Arterial-phase contrast-enhanced abdominal CT, axial slice 439 of 683 (counted from the lowest slice); tube voltage 120 kVp, convolution kernel I30f; slices 1.00 mm thick, 0.738 mm per pixel.
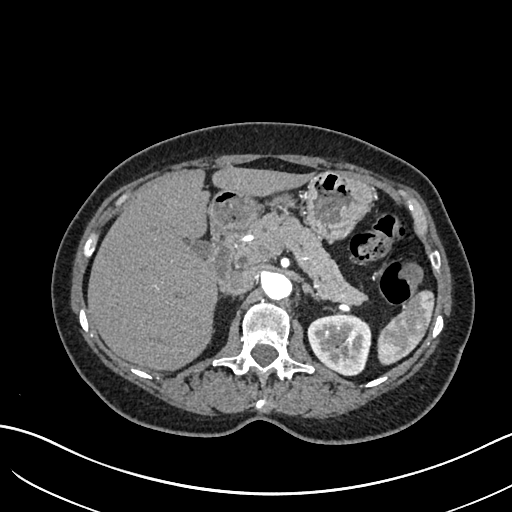
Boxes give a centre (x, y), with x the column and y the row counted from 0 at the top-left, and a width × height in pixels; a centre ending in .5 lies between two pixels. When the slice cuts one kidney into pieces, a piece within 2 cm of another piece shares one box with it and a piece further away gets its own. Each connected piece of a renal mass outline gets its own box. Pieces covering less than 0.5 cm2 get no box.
Box centre (339, 345), 65 × 63 pixels: left kidney (outlined area 3,088 px, about 16.8 cm2). No renal mass is outlined on this slice.